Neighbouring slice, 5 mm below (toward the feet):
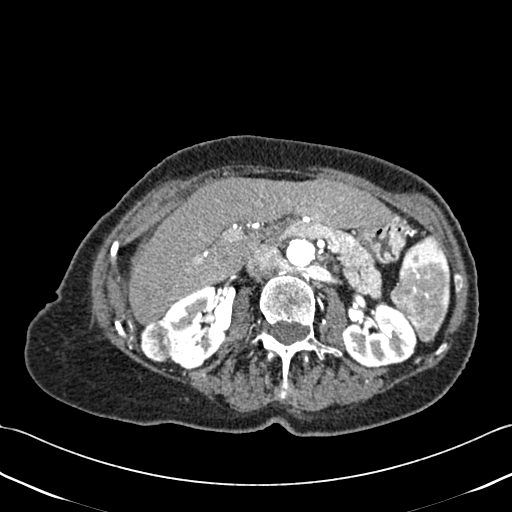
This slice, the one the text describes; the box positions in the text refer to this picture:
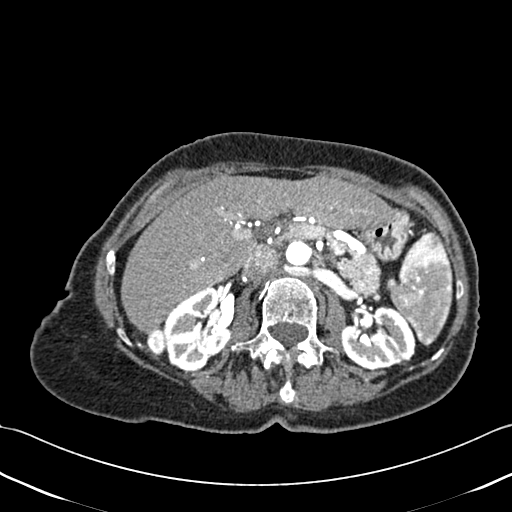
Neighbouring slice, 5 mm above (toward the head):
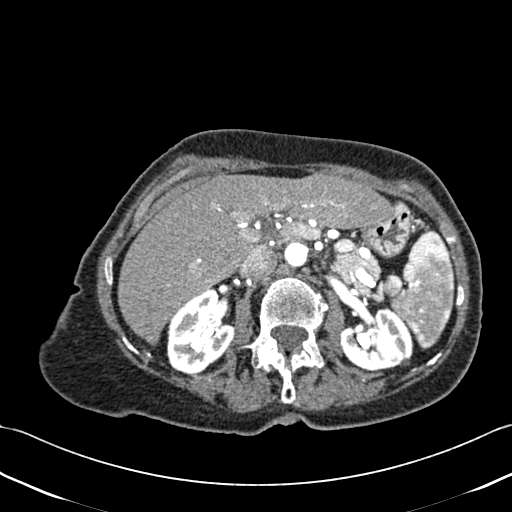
One axial slice (264 of 433, counting up from the lowest) of a contrast-enhanced abdominal CT acquired with 120 kVp, kernel B30f; each pixel is 0.672 mm and the slice is 1.00 mm thick.
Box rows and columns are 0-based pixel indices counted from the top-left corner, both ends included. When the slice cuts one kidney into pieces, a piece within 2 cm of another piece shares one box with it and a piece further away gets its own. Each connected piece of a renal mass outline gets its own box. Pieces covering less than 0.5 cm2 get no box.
Boxed on this slice (two kidney boxes and one renal mass box), listed by box centre from the image's left to its right: (1) Right renal mass at rows 329–357, columns 146–165 (outlined area 422 px, about 1.9 cm2). (2) Right kidney at rows 287–371, columns 163–233 (outlined area 4,142 px, about 18.7 cm2). (3) Left kidney, box rows 305–370, columns 340–415 (outlined area 3,605 px, about 16.3 cm2). This slice lies near the end of the right renal mass toward the head; the slices 5 mm below and 5 mm above it are shown too, and the boxes mark positions on this slice only.